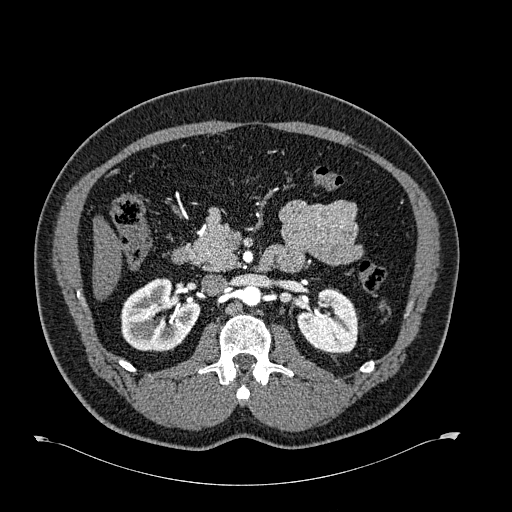
Abdominal CT with intravenous contrast, arterial phase, axial plane, 120 kVp, kernel B30f. Slice 383/723 from the bottom of the scan; thickness 1.00 mm; pixel size 0.895 mm.
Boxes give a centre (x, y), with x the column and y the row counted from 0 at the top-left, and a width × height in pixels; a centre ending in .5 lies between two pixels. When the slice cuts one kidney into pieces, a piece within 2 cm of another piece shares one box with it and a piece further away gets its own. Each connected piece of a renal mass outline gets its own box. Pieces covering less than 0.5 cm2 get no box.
Boxed on this slice (two kidney boxes), listed by box centre from the image's left to its right: (1) Right kidney in a box with centre (159.5, 314.5), 80 × 74 pixels (outlined area 4,323 px, about 34.6 cm2). (2) Left kidney in a box with centre (327, 321), 63 × 67 pixels (outlined area 3,017 px, about 24.1 cm2). No renal mass is outlined on this slice.